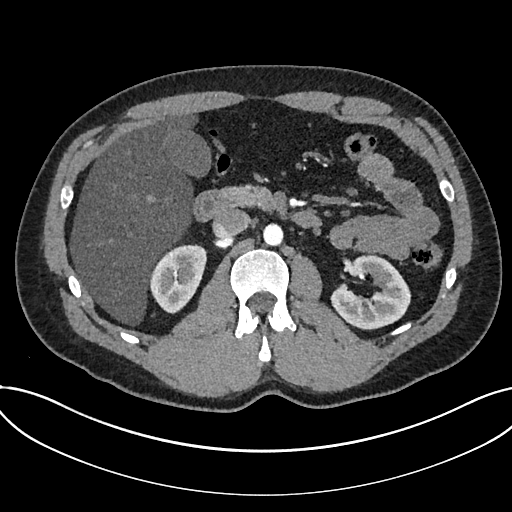
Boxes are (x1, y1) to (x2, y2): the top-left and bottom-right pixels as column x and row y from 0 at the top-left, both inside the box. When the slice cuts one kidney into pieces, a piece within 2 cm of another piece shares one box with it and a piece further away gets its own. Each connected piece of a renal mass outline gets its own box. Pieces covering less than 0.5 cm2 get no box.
Arterial-phase contrast-enhanced abdominal CT, axial slice 438 of 735 (counted from the lowest slice); 1.00 mm thick, 0.789 mm per pixel. Two boxes on this slice (two kidney boxes), listed by box centre from the image's left to its right. (1) Kidney from (150, 244) to (206, 313) (outlined area 2,851 px, about 17.8 cm2). (2) Kidney, box (330, 254) to (409, 330) (outlined area 3,936 px, about 24.5 cm2). No renal mass is outlined on this slice.
Tube voltage 120 kVp; convolution kernel I30f.